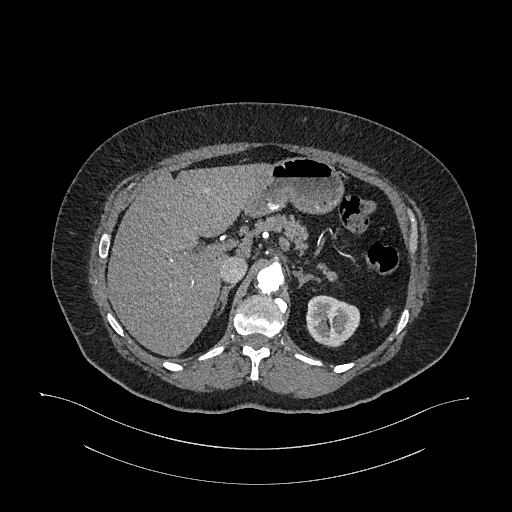
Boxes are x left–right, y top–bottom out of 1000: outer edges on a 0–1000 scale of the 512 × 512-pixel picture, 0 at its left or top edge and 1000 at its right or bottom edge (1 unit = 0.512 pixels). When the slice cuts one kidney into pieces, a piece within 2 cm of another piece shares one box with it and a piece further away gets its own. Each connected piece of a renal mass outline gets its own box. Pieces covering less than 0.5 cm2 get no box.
Slice 768/987 of a contrast-enhanced abdominal CT in the arterial phase, counting up from the lowest; pixel size 0.977 mm, slice thickness 1.00 mm. Left kidney at x 598–705, y 576–678 out of 1000 (outlined area 2,184 px, about 20.8 cm2). This slice carries no renal mass outline.
Tube voltage 120 kVp; convolution kernel I26f.